Abdominal CT with intravenous contrast, arterial phase, axial plane, 120 kVp, kernel B30f. Slice 438/532 from the bottom of the scan; thickness 1.00 mm; pixel size 0.713 mm.
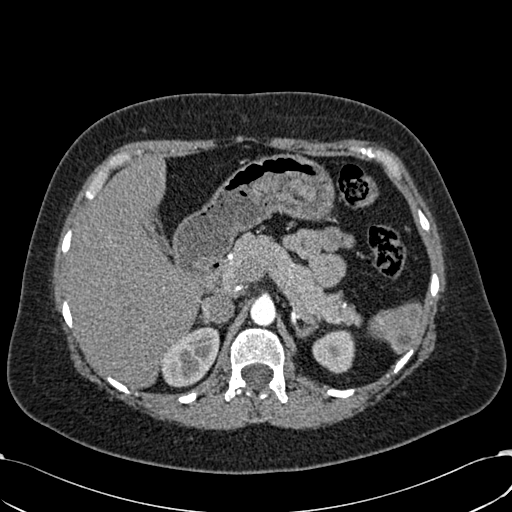
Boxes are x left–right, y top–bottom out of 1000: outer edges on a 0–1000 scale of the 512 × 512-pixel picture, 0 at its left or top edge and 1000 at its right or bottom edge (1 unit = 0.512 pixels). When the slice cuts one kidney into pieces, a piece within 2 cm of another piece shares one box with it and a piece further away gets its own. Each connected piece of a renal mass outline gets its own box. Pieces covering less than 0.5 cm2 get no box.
Two boxes on this slice (two kidney boxes), listed by box centre from the image's left to its right. (1) Right kidney at x 314–430, y 635–758 out of 1000 (outlined area 2,573 px, about 13.1 cm2). (2) Left kidney at x 609–695, y 645–730 out of 1000 (outlined area 1,463 px, about 7.4 cm2). No renal mass outline on this slice.